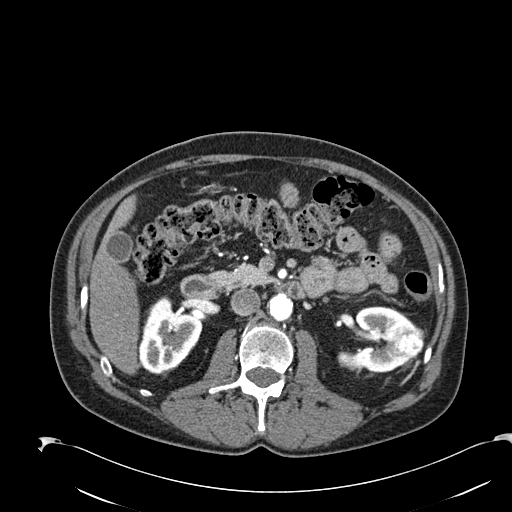
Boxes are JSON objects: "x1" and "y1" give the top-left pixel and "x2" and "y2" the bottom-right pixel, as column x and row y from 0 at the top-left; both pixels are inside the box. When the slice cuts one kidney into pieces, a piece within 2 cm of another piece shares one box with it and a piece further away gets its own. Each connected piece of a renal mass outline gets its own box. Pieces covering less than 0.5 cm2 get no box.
This is axial slice 117 of 274 (slice 1 is the lowest) of an arterial-phase abdominal CT with contrast; each pixel is 0.809 mm and the slice is 2.00 mm thick. Boxed on this slice (two kidney boxes and one renal mass box), listed by box centre from the image's left to its right: (1) Box {"x1": 141, "y1": 295, "x2": 203, "y2": 374}: right kidney (outlined area 3,363 px, about 22.0 cm2). (2) Box {"x1": 337, "y1": 306, "x2": 416, "y2": 373}: left kidney (outlined area 2,992 px, about 19.6 cm2). (3) Left renal mass at {"x1": 389, "y1": 325, "x2": 425, "y2": 360} (outlined area 1,031 px, about 6.7 cm2).
Tube voltage 120 kVp; convolution kernel B30f.